Abdominal CT with intravenous contrast, arterial phase, axial plane, 120 kVp, kernel I26f. Slice 152/548 from the bottom of the scan; thickness 1.00 mm; pixel size 0.852 mm.
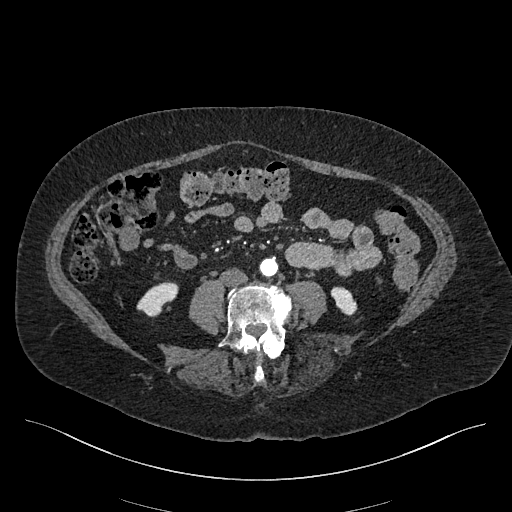
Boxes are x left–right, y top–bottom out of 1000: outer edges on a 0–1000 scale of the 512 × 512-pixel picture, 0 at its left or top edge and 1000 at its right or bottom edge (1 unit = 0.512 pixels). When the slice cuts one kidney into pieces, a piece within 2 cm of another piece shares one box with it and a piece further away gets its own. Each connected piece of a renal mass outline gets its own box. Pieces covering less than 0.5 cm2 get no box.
Boxed on this slice (two kidney boxes), listed by box centre from the image's left to its right: (1) Box x 266–350, y 551–619 out of 1000: right kidney (outlined area 904 px, about 6.6 cm2). (2) Left kidney, box x 645–699, y 559–617 out of 1000 (outlined area 523 px, about 3.8 cm2). No renal mass outline on this slice.